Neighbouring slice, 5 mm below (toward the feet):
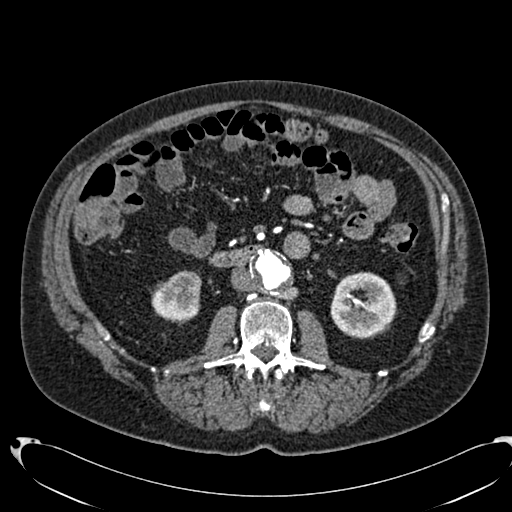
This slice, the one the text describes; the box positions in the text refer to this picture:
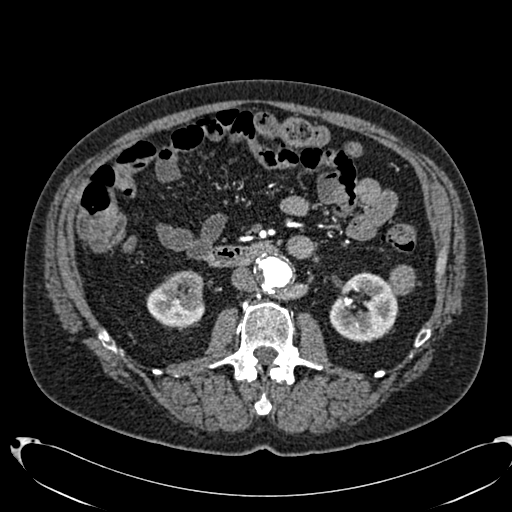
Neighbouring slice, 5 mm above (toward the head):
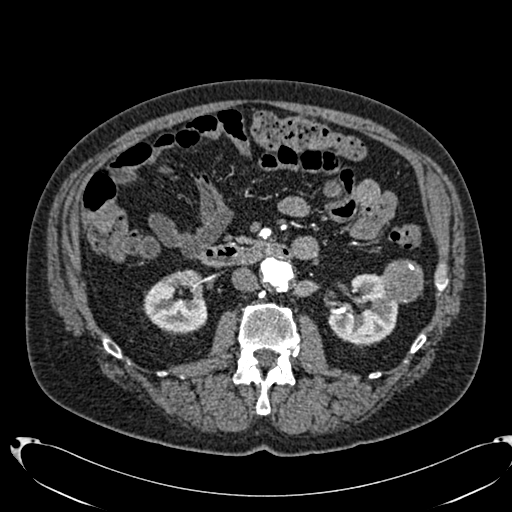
Arterial-phase contrast-enhanced abdominal CT, axial slice 381 of 553 (counted from the lowest slice); tube voltage 120 kVp, convolution kernel B20f; slices 1.00 mm thick, 0.773 mm per pixel.
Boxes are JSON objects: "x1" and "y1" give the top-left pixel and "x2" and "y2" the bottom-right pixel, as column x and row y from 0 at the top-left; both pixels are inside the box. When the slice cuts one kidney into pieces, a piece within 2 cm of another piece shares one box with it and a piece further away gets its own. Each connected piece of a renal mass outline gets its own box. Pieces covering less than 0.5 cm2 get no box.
Two kidney boxes and one renal mass box on this slice; by box centre, from the image's left to its right: (1) Box {"x1": 146, "y1": 270, "x2": 204, "y2": 330}: right kidney (outlined area 2,639 px, about 15.8 cm2). (2) Left kidney at {"x1": 329, "y1": 272, "x2": 398, "y2": 343} (outlined area 2,037 px, about 12.2 cm2). (3) Box {"x1": 387, "y1": 264, "x2": 415, "y2": 295}: left renal mass (outlined area 678 px, about 4.1 cm2). This slice is near the end of the left renal mass toward the feet, so the slices 5 mm below and 5 mm above it are shown as well; the boxes refer to this slice only.